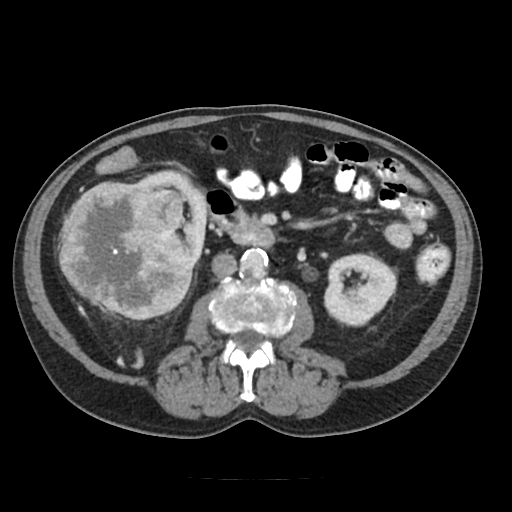
One axial slice (56 of 91, counting up from the lowest) of a contrast-enhanced abdominal CT acquired with 120 kVp, kernel FC18; each pixel is 0.766 mm and the slice is 5.00 mm thick.
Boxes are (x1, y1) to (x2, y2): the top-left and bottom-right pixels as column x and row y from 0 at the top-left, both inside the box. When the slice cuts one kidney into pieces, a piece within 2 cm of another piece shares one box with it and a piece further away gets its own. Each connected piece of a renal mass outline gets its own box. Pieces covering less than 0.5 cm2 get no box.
Boxed on this slice (two kidney boxes and one renal mass box), listed by box centre from the image's left to its right: (1) Box (57, 181) to (193, 319): right renal mass (outlined area 14,791 px, about 86.8 cm2). (2) Box (134, 168) to (206, 264): right kidney (outlined area 2,270 px, about 13.3 cm2). (3) Left kidney from (323, 253) to (396, 327) (outlined area 4,108 px, about 24.1 cm2).